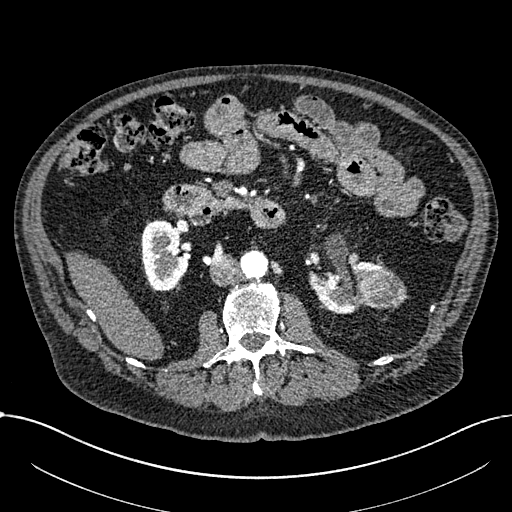
One axial slice (383 of 1059, counting up from the lowest) of an arterial-phase abdominal CT acquired with 100 kVp, kernel I30f; each pixel is 0.811 mm and the slice is 1.00 mm thick.
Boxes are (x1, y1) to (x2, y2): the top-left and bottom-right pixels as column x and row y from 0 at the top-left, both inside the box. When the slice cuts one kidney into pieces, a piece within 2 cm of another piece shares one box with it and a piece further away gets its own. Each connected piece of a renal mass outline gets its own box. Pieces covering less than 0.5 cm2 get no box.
Two kidney boxes and one renal mass box on this slice; by box centre, from the image's left to its right: (1) Right part of the midline-crossing kidney from (141, 220) to (189, 291) (outlined area 2,599 px, about 17.1 cm2). (2) Box (309, 260) to (389, 313): left part of the midline-crossing kidney (outlined area 2,283 px, about 15.0 cm2). (3) Renal mass from (358, 270) to (408, 309) (outlined area 1,501 px, about 9.9 cm2).